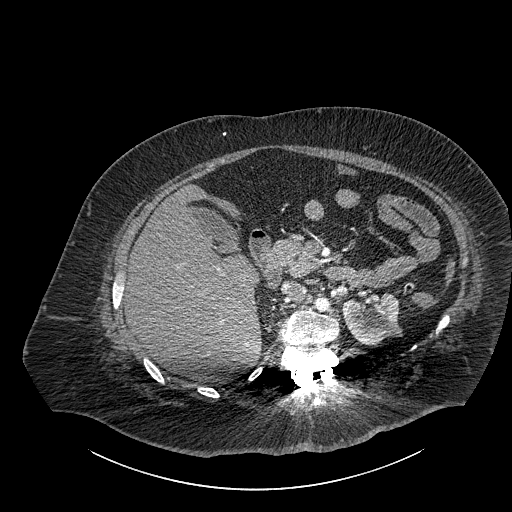
Abdominal CT with intravenous contrast, axial plane, 140 kVp, kernel I30f. Slice 587/834 from the bottom of the scan; thickness 1.00 mm; pixel size 0.977 mm.
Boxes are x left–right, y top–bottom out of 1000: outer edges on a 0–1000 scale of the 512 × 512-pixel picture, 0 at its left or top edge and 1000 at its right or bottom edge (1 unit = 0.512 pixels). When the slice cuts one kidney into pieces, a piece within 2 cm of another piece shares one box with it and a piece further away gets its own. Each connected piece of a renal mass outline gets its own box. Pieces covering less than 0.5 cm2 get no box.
Left part of the midline-crossing kidney at x 668–785, y 570–676 out of 1000 (outlined area 2,396 px, about 22.9 cm2). This slice carries no renal mass outline.